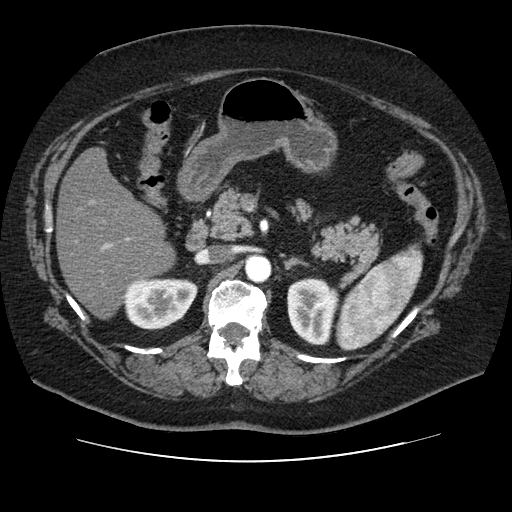
One axial slice (66 of 106, counting up from the lowest) of an arterial-phase abdominal CT acquired with 120 kVp, kernel STANDARD; each pixel is 0.742 mm and the slice is 2.50 mm thick.
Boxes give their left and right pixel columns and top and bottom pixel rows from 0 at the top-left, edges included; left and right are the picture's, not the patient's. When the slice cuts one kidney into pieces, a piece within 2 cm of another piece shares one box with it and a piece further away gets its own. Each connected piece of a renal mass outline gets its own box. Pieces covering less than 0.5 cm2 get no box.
Boxed on this slice (two kidney boxes), listed by box centre from the image's left to its right: (1) Box with left 123, top 278, right 197, bottom 329: right kidney (outlined area 3,075 px, about 16.9 cm2). (2) Left kidney in the box with left 287, top 277, right 339, bottom 345 (outlined area 2,800 px, about 15.4 cm2). No renal mass is outlined on this slice.